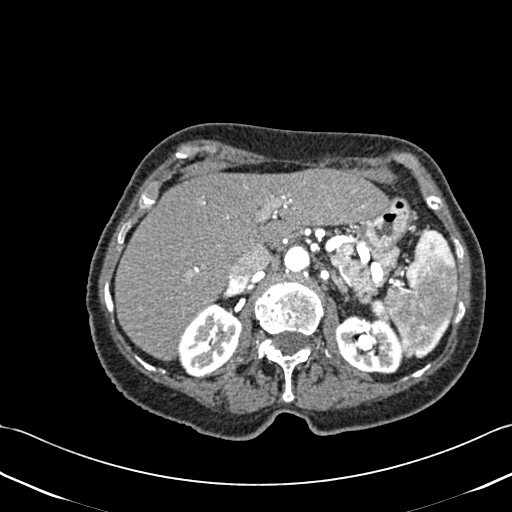
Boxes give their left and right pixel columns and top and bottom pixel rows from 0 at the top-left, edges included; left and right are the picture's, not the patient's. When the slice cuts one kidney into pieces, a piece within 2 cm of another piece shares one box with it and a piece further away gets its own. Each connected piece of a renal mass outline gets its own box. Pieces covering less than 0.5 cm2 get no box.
Contrast-enhanced abdominal CT, axial slice 304 of 433 (counted from the lowest slice); 1.00 mm thick, 0.672 mm per pixel. Boxed on this slice (two kidney boxes), listed by box centre from the image's left to its right: (1) Box with left 178, top 303, right 242, bottom 376: right kidney (outlined area 3,271 px, about 14.8 cm2). (2) Box with left 335, top 316, right 402, bottom 374: left kidney (outlined area 3,048 px, about 13.8 cm2). No renal mass outline on this slice.
Acquired at 120 kVp and reconstructed with the B30f kernel.